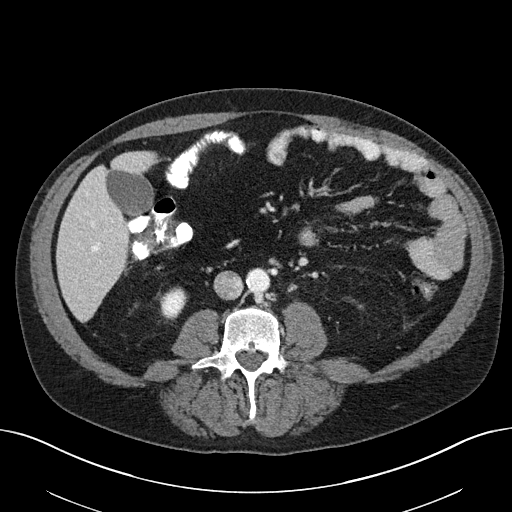
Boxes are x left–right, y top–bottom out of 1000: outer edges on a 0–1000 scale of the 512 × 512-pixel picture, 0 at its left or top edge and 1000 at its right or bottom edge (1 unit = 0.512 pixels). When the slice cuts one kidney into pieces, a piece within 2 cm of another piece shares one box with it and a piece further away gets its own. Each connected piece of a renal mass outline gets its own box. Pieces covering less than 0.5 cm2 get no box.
Slice 93/163 of a contrast-enhanced abdominal CT, counting up from the lowest; pixel size 0.799 mm, slice thickness 3.00 mm. Right kidney at x 313–365, y 563–623 out of 1000 (outlined area 604 px, about 3.9 cm2). This slice carries no renal mass outline.
Scan settings: 100 kVp, I40f reconstruction kernel.